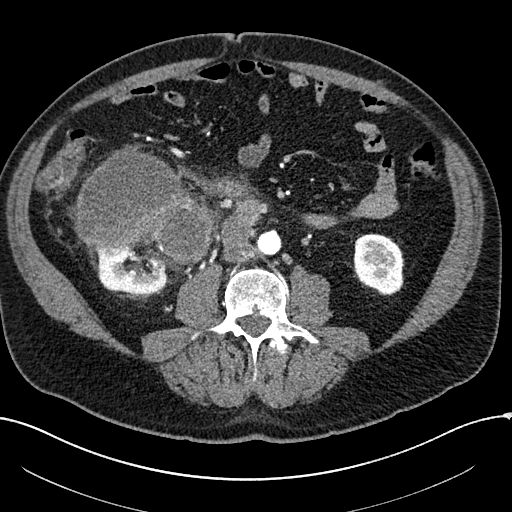
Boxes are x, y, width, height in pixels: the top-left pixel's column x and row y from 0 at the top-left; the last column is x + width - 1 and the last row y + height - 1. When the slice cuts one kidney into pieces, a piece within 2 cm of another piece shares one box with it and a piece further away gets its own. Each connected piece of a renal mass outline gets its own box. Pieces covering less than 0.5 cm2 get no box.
This is axial slice 61 of 304 (slice 1 is the lowest) of an arterial-phase abdominal CT with contrast; each pixel is 0.809 mm and the slice is 2.00 mm thick. Two kidney boxes and one renal mass box on this slice; by box centre, from the image's left to its right: (1) Box x 94, y 249, width 76, height 46: right kidney (outlined area 2,609 px, about 17.1 cm2). (2) Box x 76, y 147, width 138, height 122: right renal mass (outlined area 11,466 px, about 75.0 cm2). (3) Left kidney, box x 353, y 233, width 52, height 63 (outlined area 2,582 px, about 16.9 cm2).
Tube voltage 100 kVp; convolution kernel I30f.